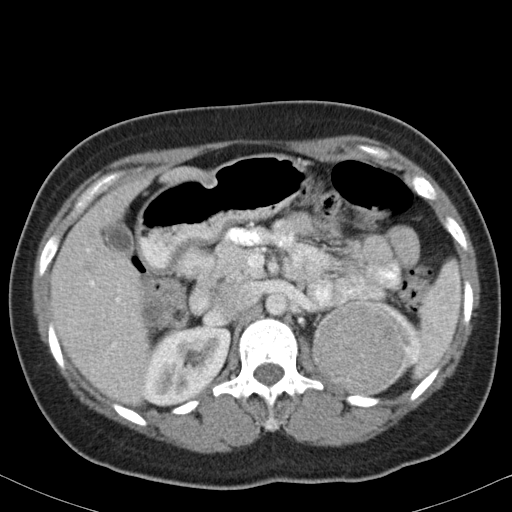
Arterial-phase contrast-enhanced abdominal CT, axial slice 65 of 82 (counted from the lowest slice); tube voltage 120 kVp, convolution kernel B31f; slices 5.00 mm thick, 0.625 mm per pixel.
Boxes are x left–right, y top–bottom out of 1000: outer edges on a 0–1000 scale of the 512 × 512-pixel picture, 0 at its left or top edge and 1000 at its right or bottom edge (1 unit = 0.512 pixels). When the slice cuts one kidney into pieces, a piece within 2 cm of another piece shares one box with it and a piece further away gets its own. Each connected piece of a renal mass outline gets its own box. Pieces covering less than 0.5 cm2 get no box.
Three boxes on this slice (two kidney boxes and one renal mass box), listed by box centre from the image's left to its right. (1) Right kidney at x 277–453, y 635–795 out of 1000 (outlined area 5,306 px, about 20.7 cm2). (2) Left renal mass at x 607–801, y 586–775 out of 1000 (outlined area 7,324 px, about 28.6 cm2). (3) Box x 740–824, y 588–721 out of 1000: left kidney (outlined area 652 px, about 2.5 cm2).